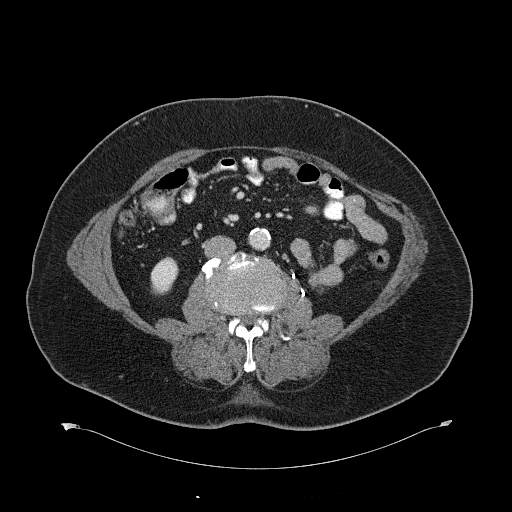
Axial slice 309 of 734 of a contrast-enhanced abdominal CT (slice 1 is the lowest), 120 kVp, kernel B31f; 2.00 mm slice thickness and 0.971 mm pixels.
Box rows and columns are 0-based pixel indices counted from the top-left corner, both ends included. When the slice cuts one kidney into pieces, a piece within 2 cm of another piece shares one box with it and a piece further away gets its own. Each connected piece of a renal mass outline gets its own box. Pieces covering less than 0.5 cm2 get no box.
Right kidney, box rows 256–294, columns 150–178 (outlined area 828 px, about 7.8 cm2). This slice carries no renal mass outline.